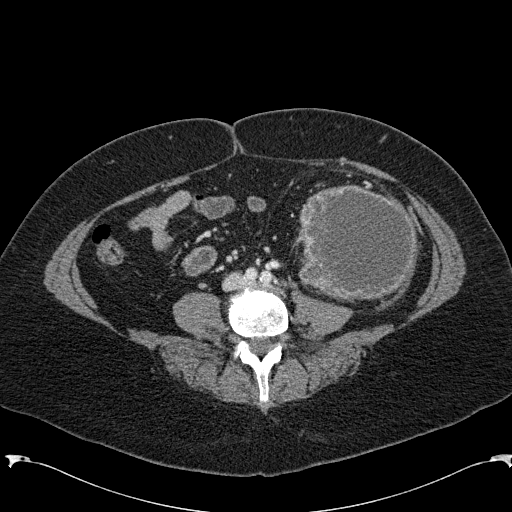
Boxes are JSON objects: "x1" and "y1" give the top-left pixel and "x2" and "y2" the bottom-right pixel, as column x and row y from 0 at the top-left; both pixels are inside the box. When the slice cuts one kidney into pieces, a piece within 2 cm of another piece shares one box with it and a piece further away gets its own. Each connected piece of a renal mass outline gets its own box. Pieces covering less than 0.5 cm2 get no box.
Arterial-phase contrast-enhanced abdominal CT, axial slice 42 of 285 (counted from the lowest slice); 2.00 mm thick, 0.762 mm per pixel. Left renal mass at {"x1": 292, "y1": 185, "x2": 416, "y2": 302} (outlined area 11,344 px, about 65.8 cm2); no kidney outline appears on this slice, but the same outlined renal mass comes within 1 cm of the kidney on another slice.
Tube voltage 120 kVp; convolution kernel B31f.